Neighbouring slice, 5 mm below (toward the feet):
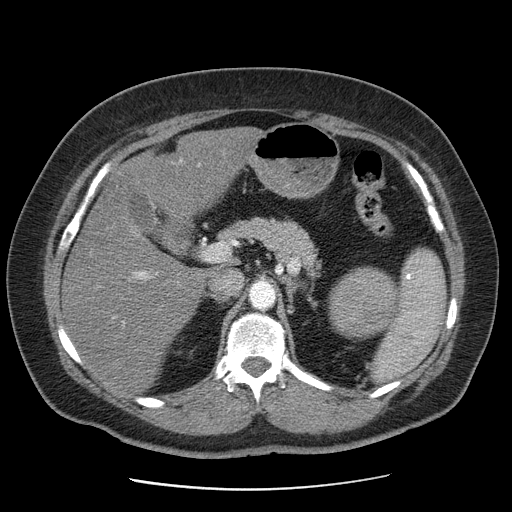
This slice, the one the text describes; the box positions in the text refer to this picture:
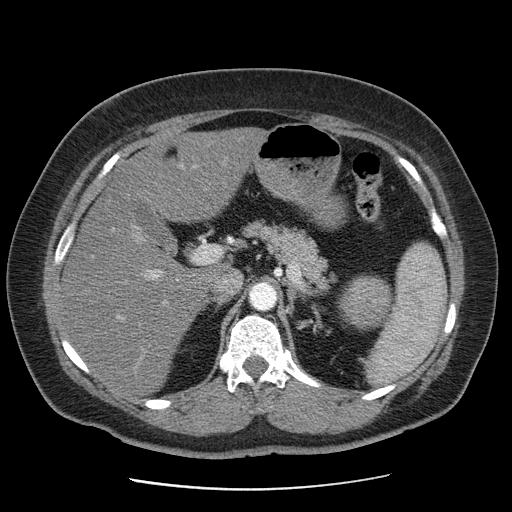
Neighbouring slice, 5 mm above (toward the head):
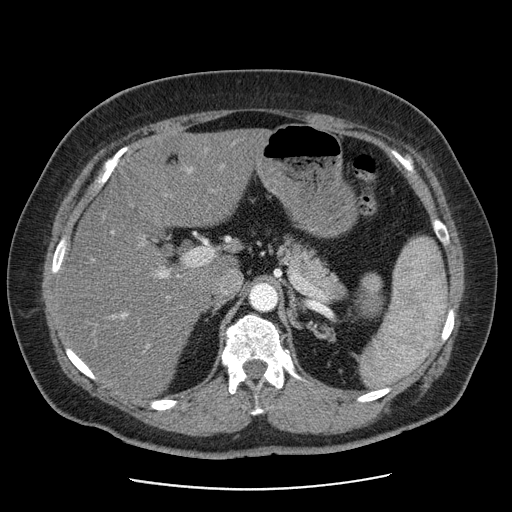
One axial slice (66 of 103, counting up from the lowest) of a contrast-enhanced abdominal CT acquired with 120 kVp, kernel STANDARD; each pixel is 0.736 mm and the slice is 2.50 mm thick.
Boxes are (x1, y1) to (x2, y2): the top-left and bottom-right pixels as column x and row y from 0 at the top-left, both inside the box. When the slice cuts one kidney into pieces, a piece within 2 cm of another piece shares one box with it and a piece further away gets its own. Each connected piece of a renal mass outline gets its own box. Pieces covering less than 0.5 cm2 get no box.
Left renal mass, box (337, 274) to (394, 331) (outlined area 2,378 px, about 12.9 cm2); this slice has no kidney outline, though on another slice the same outlined renal mass lies within 1 cm of the kidney. This slice is near the end of the left renal mass toward the head, so the slices 5 mm below and 5 mm above it are shown as well; the boxes refer to this slice only.